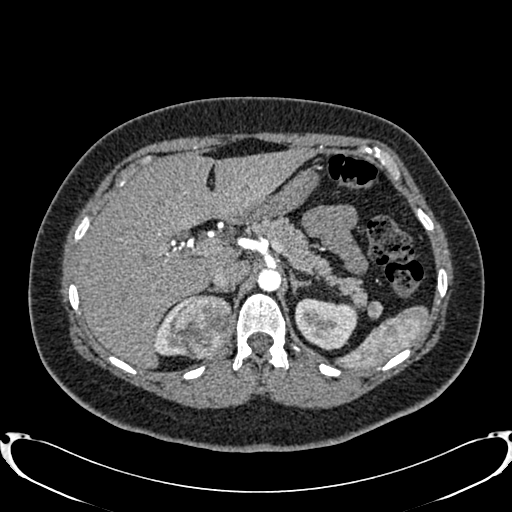
Axial slice 575 of 719 of a contrast-enhanced abdominal CT in the arterial phase (slice 1 is the lowest), 120 kVp, kernel B20f; 1.00 mm slice thickness and 0.766 mm pixels.
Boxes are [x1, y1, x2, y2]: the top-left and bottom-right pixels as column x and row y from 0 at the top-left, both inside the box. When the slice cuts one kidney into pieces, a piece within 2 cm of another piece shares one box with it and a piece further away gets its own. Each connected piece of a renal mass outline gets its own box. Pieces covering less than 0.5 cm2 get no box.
Two kidney boxes and one renal mass box on this slice; by box centre, from the image's left to its right: (1) Right kidney at [153, 297, 189, 356] (outlined area 655 px, about 3.8 cm2). (2) Right renal mass, box [169, 294, 233, 358] (outlined area 3,266 px, about 19.1 cm2). (3) Left kidney at [294, 298, 358, 349] (outlined area 2,516 px, about 14.7 cm2).